Axial slice 102 of 279 of a contrast-enhanced abdominal CT in the arterial phase (slice 1 is the lowest), 120 kVp, kernel B31f; 2.00 mm slice thickness and 0.824 mm pixels.
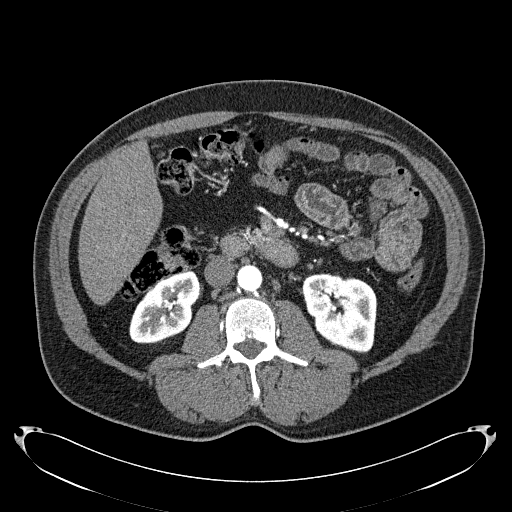
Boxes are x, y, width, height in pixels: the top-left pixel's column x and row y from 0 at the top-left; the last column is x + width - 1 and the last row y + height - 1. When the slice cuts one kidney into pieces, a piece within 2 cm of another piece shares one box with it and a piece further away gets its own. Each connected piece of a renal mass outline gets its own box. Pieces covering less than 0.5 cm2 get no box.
Two boxes on this slice (two kidney boxes), listed by box centre from the image's left to its right. (1) Box x 129, y 269, width 71, height 75: right kidney (outlined area 3,571 px, about 24.3 cm2). (2) Box x 301, y 273, width 77, height 81: left kidney (outlined area 4,613 px, about 31.3 cm2). This slice carries no renal mass outline.